Abdominal CT with intravenous contrast, axial plane, 120 kVp, kernel STANDARD. Slice 52/121 from the bottom of the scan; thickness 2.50 mm; pixel size 0.742 mm.
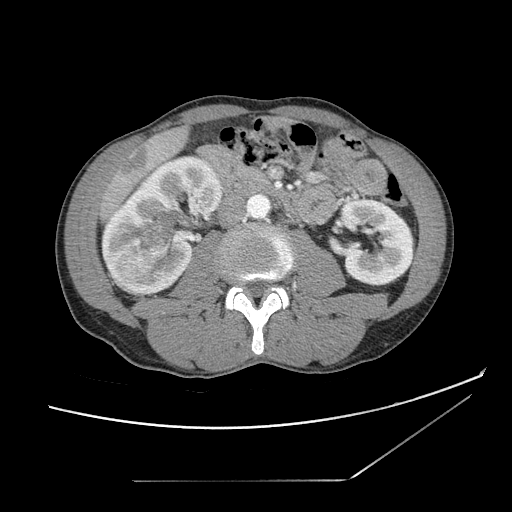
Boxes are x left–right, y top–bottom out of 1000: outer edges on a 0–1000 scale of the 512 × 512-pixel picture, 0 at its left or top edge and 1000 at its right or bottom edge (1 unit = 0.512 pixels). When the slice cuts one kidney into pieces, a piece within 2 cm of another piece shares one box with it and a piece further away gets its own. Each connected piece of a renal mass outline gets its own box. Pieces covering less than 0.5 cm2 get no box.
Three boxes on this slice (two kidney boxes and one renal mass box), listed by box centre from the image's left to its right. (1) Right renal mass at x 264–334, y 434–506 out of 1000 (outlined area 1,036 px, about 5.7 cm2). (2) Right kidney at x 197–434, y 301–580 out of 1000 (outlined area 10,237 px, about 56.4 cm2). (3) Box x 660–811, y 387–561 out of 1000: left kidney (outlined area 5,160 px, about 28.4 cm2).